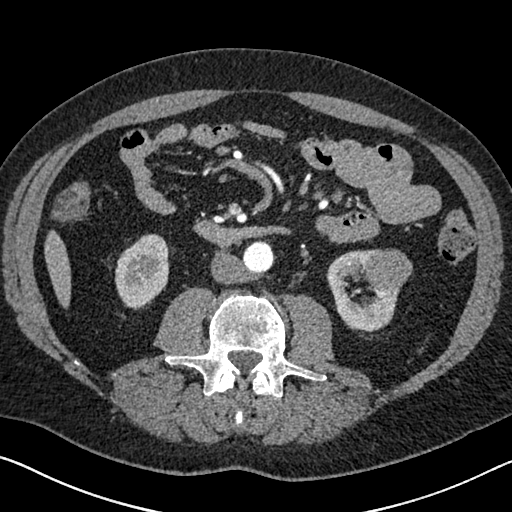
Abdominal CT with intravenous contrast, arterial phase, axial plane, 120 kVp, kernel I30f. Slice 320/626 from the bottom of the scan; thickness 1.00 mm; pixel size 0.703 mm.
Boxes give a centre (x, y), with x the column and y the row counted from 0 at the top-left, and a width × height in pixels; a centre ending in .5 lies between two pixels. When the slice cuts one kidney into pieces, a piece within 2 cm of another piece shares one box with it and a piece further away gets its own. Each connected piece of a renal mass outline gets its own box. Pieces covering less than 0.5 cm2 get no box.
Two kidney boxes and one renal mass box on this slice; by box centre, from the image's left to its right: (1) Right kidney in a box with centre (142, 271.5), 55 × 76 pixels (outlined area 3,123 px, about 15.4 cm2). (2) Left kidney in a box with centre (362.5, 290.5), 74 × 84 pixels (outlined area 3,349 px, about 16.6 cm2). (3) Left renal mass in a box with centre (388.5, 270), 48 × 43 pixels (outlined area 1,633 px, about 8.1 cm2).